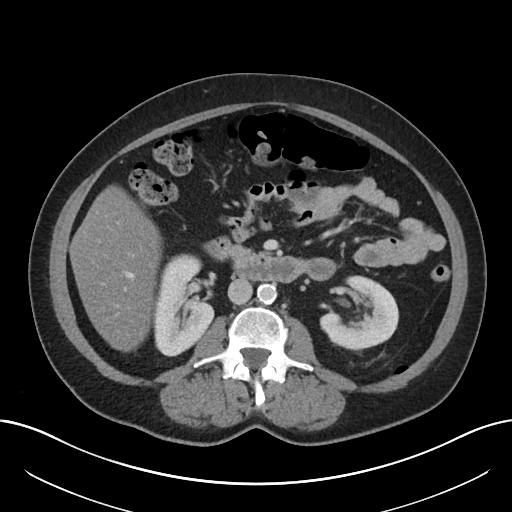
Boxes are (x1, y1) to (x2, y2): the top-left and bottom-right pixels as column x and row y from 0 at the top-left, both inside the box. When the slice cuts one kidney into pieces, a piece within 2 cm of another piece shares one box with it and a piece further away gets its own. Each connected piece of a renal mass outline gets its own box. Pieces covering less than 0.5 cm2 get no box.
This is axial slice 111 of 197 (slice 1 is the lowest) of an abdominal CT with contrast; each pixel is 0.791 mm and the slice is 5.00 mm thick. Two boxes on this slice (two kidney boxes), listed by box centre from the image's left to its right. (1) Right kidney from (153, 254) to (214, 356) (outlined area 4,671 px, about 29.2 cm2). (2) Left kidney from (319, 275) to (398, 351) (outlined area 4,047 px, about 25.3 cm2). No renal mass outline on this slice.
Tube voltage 120 kVp; convolution kernel I30f.